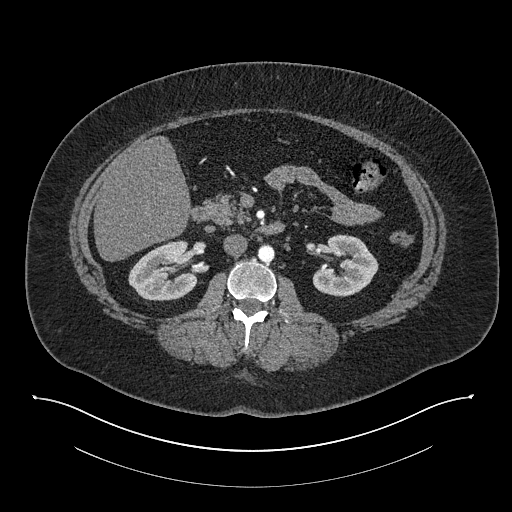
One axial slice (449 of 673, counting up from the lowest) of an arterial-phase abdominal CT acquired with 140 kVp, kernel I30f; each pixel is 0.957 mm and the slice is 1.00 mm thick.
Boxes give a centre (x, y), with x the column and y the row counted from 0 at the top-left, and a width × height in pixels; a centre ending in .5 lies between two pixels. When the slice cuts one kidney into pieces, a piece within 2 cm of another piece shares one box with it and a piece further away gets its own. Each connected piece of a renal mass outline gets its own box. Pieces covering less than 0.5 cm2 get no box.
Two kidney boxes on this slice; by box centre, from the image's left to its right: (1) Box centre (162.5, 270), 70 × 61 pixels: right kidney (outlined area 3,071 px, about 28.1 cm2). (2) Left kidney in a box with centre (345, 265), 67 × 63 pixels (outlined area 2,896 px, about 26.5 cm2). No renal mass is outlined on this slice.